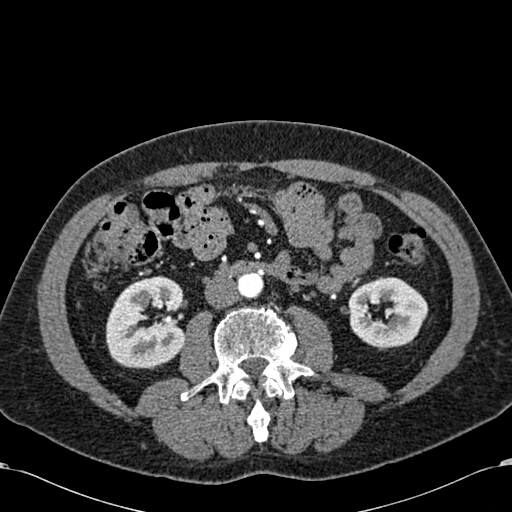
Axial slice 284 of 581 of a contrast-enhanced abdominal CT in the arterial phase (slice 1 is the lowest), 120 kVp, kernel B30f; 1.00 mm slice thickness and 0.713 mm pixels.
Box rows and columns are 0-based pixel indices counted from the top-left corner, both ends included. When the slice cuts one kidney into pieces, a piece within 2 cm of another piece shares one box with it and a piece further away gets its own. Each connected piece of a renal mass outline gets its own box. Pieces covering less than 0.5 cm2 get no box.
Two kidney boxes on this slice; by box centre, from the image's left to its right: (1) Box rows 275–368, columns 106–185: right kidney (outlined area 5,761 px, about 29.3 cm2). (2) Left kidney at rows 277–349, columns 347–428 (outlined area 4,254 px, about 21.6 cm2). This slice carries no renal mass outline.